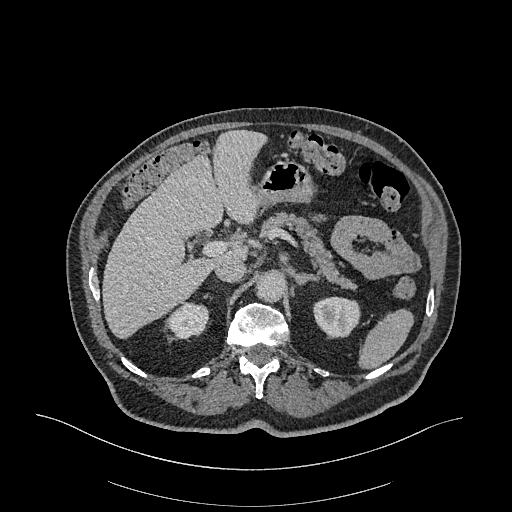
Arterial-phase contrast-enhanced abdominal CT, axial slice 237 of 470 (counted from the lowest slice); tube voltage 120 kVp, convolution kernel I26f; slices 1.00 mm thick, 0.938 mm per pixel.
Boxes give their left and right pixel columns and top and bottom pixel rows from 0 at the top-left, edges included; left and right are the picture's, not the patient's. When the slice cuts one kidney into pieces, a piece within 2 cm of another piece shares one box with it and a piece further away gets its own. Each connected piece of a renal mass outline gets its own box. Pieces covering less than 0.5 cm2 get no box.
Two kidney boxes on this slice; by box centre, from the image's left to its right: (1) Box with left 166, top 301, right 210, bottom 341: right kidney (outlined area 1,231 px, about 10.8 cm2). (2) Box with left 313, top 296, right 360, bottom 337: left kidney (outlined area 1,561 px, about 13.7 cm2). No renal mass outline on this slice.